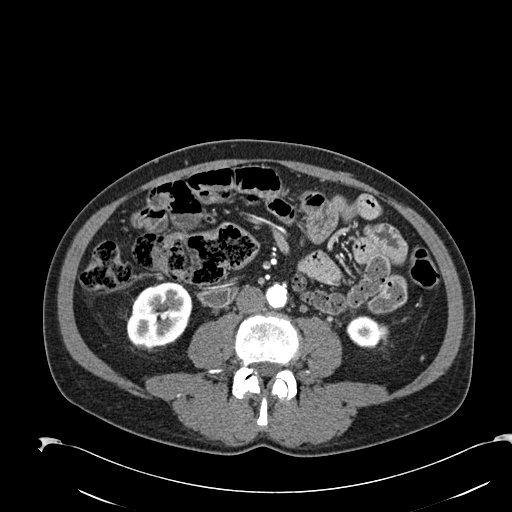
Arterial-phase contrast-enhanced abdominal CT, axial slice 64 of 274 (counted from the lowest slice); tube voltage 120 kVp, convolution kernel B30f; slices 2.00 mm thick, 0.809 mm per pixel.
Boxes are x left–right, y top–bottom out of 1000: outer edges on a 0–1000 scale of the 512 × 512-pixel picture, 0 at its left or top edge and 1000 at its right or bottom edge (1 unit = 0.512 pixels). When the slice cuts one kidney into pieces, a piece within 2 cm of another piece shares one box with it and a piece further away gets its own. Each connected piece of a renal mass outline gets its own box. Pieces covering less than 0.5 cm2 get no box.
Two kidney boxes on this slice; by box centre, from the image's left to its right: (1) Right kidney, box x 242–377, y 551–682 out of 1000 (outlined area 3,443 px, about 22.5 cm2). (2) Left kidney, box x 676–758, y 615–682 out of 1000 (outlined area 991 px, about 6.5 cm2). This slice carries no renal mass outline.